One axial slice (246 of 527, counting up from the lowest) of an arterial-phase abdominal CT acquired with 120 kVp, kernel I30f; each pixel is 0.859 mm and the slice is 1.00 mm thick.
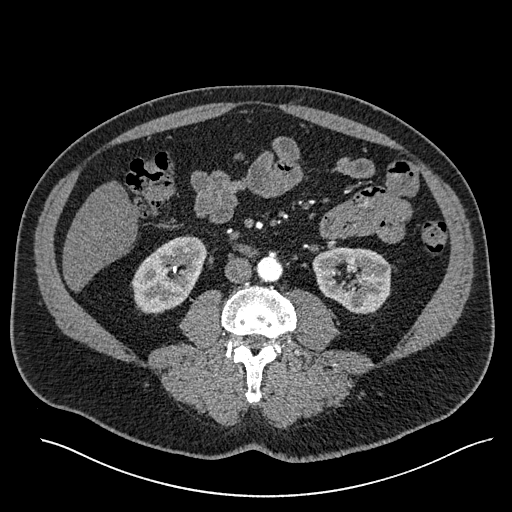
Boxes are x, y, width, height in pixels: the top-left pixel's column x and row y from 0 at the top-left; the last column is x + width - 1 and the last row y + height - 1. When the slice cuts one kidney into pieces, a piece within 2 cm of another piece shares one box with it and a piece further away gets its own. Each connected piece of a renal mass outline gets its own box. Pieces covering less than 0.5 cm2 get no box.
Two boxes on this slice (two kidney boxes), listed by box centre from the image's left to its right. (1) Box x 132, y 235, width 76, height 79: right kidney (outlined area 4,045 px, about 29.9 cm2). (2) Left kidney at x 312, y 247, width 80, height 67 (outlined area 3,982 px, about 29.4 cm2). This slice carries no renal mass outline.